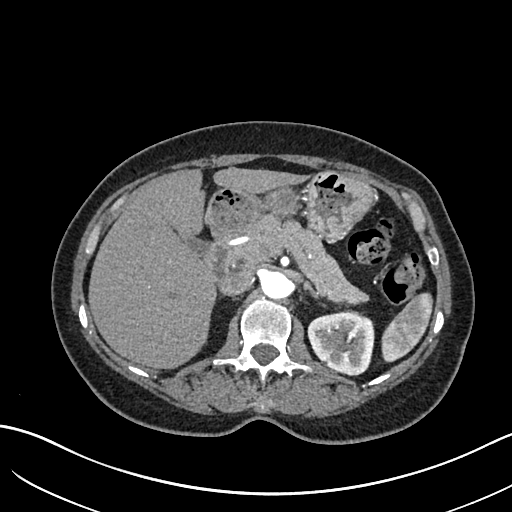
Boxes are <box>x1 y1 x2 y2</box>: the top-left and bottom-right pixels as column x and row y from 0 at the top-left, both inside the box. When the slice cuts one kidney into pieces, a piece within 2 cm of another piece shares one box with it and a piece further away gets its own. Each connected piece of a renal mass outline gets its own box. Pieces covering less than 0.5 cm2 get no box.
This is axial slice 434 of 683 (slice 1 is the lowest) of an arterial-phase abdominal CT with contrast; each pixel is 0.738 mm and the slice is 1.00 mm thick. At <box>307 310 374 375</box>: left kidney (outlined area 3,396 px, about 18.5 cm2). No renal mass is outlined on this slice.
Scan settings: 120 kVp, I30f reconstruction kernel.